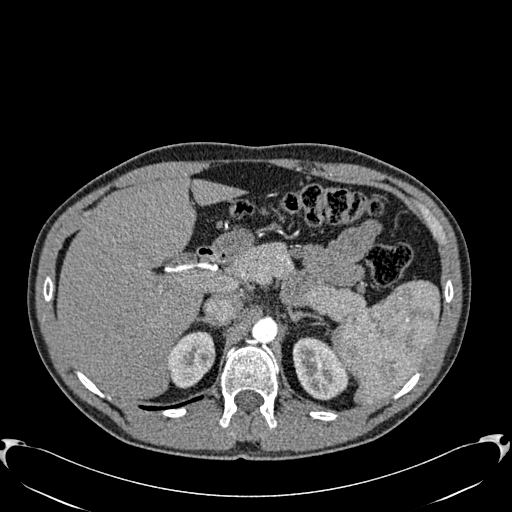
Axial slice 433 of 512 of a contrast-enhanced abdominal CT in the arterial phase (slice 1 is the lowest), 120 kVp, kernel B30f; 1.00 mm slice thickness and 0.771 mm pixels.
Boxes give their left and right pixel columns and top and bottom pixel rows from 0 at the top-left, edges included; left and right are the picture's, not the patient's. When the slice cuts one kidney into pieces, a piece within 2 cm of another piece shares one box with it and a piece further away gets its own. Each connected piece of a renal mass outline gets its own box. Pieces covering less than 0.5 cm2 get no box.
Boxed on this slice (two kidney boxes and one renal mass box), listed by box centre from the image's left to its right: (1) Right kidney, the box with left 167, top 331, right 215, bottom 388 (outlined area 1,697 px, about 10.1 cm2). (2) Box with left 195, top 349, right 215, bottom 370: right renal mass (outlined area 315 px, about 1.9 cm2). (3) Left kidney in the box with left 292, top 337, right 348, bottom 400 (outlined area 2,572 px, about 15.3 cm2).